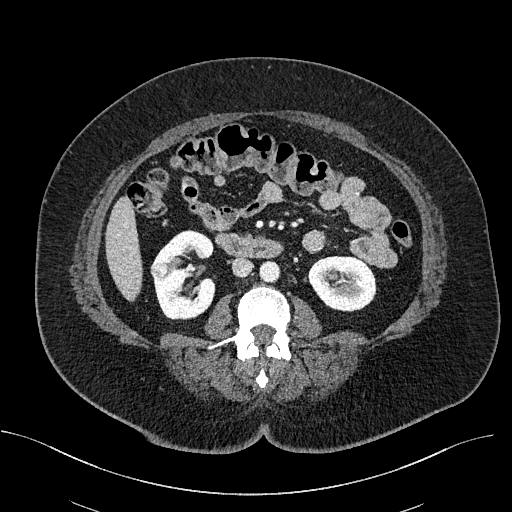
Abdominal CT with intravenous contrast, axial plane, 100 kVp, kernel I40f. Slice 276/470 from the bottom of the scan; thickness 2.00 mm; pixel size 0.824 mm.
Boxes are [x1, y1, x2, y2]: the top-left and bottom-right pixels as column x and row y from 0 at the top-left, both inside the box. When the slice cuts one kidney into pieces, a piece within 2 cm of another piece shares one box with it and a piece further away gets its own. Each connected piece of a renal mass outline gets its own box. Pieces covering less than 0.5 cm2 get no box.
Boxed on this slice (two kidney boxes and one renal mass box), listed by box centre from the image's left to its right: (1) Box [150, 260, 171, 279]: right renal mass (outlined area 351 px, about 2.4 cm2). (2) Box [153, 229, 215, 319]: right kidney (outlined area 3,935 px, about 26.7 cm2). (3) Left kidney at [308, 256, 376, 311] (outlined area 3,040 px, about 20.7 cm2).